Abdominal CT with intravenous contrast, arterial phase, axial plane, 100 kVp, kernel SOFT. Slice 224/383 from the bottom of the scan; thickness 1.25 mm; pixel size 0.898 mm.
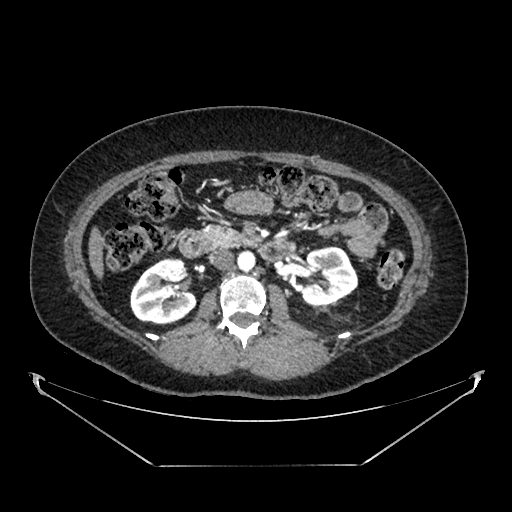
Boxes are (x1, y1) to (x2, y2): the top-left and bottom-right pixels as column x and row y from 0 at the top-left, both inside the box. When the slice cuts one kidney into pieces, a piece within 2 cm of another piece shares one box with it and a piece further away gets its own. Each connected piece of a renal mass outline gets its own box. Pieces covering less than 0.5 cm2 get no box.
Boxed on this slice (two kidney boxes), listed by box centre from the image's left to its right: (1) Box (130, 258) to (196, 324): right kidney (outlined area 3,381 px, about 27.3 cm2). (2) Box (300, 246) to (358, 305): left kidney (outlined area 2,660 px, about 21.5 cm2). No renal mass is outlined on this slice.